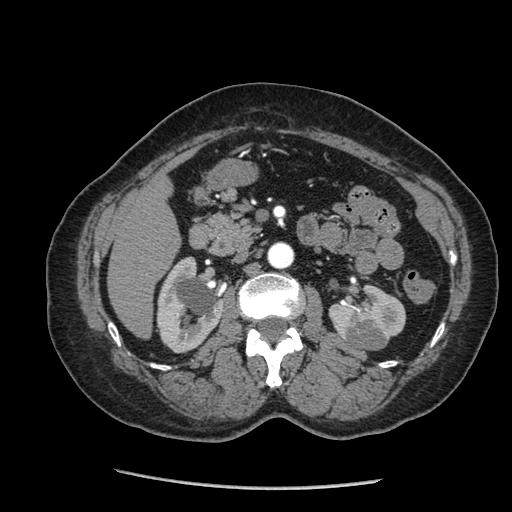
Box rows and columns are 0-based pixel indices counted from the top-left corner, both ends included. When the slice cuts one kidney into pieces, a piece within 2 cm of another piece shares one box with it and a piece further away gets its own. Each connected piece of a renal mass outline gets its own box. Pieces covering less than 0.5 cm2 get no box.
Arterial-phase contrast-enhanced abdominal CT, axial slice 126 of 233 (counted from the lowest slice); 1.25 mm thick, 0.703 mm per pixel. Three boxes on this slice (two kidney boxes and one renal mass box), listed by box centre from the image's left to its right. (1) Right kidney at rows 256–353, columns 156–223 (outlined area 4,633 px, about 22.9 cm2). (2) Left kidney, box rows 283–344, columns 328–406 (outlined area 2,545 px, about 12.6 cm2). (3) Left renal mass at rows 319–350, columns 346–390 (outlined area 1,107 px, about 5.5 cm2).
Tube voltage 120 kVp; convolution kernel STANDARD.